One axial slice (101 of 164, counting up from the lowest) of an arterial-phase abdominal CT acquired with 130 kVp, kernel B30s; each pixel is 0.664 mm and the slice is 3.00 mm thick.
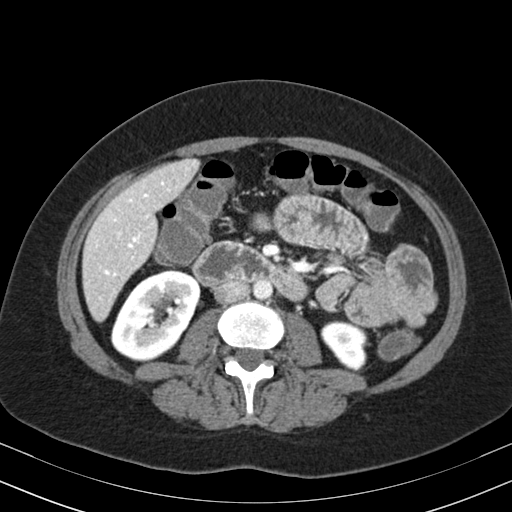
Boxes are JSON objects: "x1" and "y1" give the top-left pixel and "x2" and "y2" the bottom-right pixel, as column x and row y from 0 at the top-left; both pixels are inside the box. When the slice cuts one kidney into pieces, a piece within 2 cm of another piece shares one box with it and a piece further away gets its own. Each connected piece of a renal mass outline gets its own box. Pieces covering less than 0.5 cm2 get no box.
Two kidney boxes on this slice; by box centre, from the image's left to its right: (1) Box {"x1": 110, "y1": 269, "x2": 200, "y2": 360}: right kidney (outlined area 5,716 px, about 25.2 cm2). (2) Left kidney, box {"x1": 320, "y1": 320, "x2": 367, "y2": 370} (outlined area 1,732 px, about 7.6 cm2). No renal mass is outlined on this slice.